Axial slice 96 of 129 of a contrast-enhanced abdominal CT in the arterial phase (slice 1 is the lowest), 100 kVp, kernel I41f; 3.00 mm slice thickness and 0.779 mm pixels.
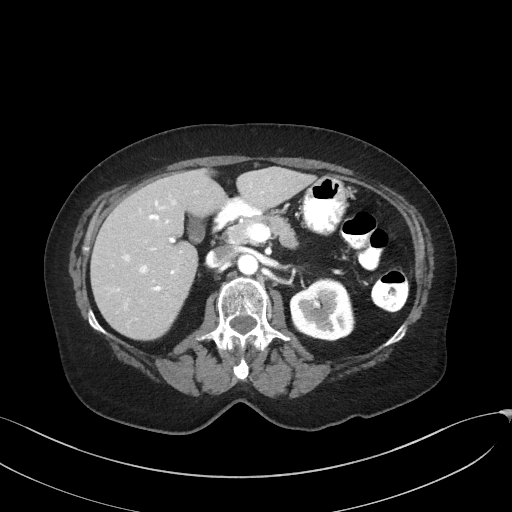
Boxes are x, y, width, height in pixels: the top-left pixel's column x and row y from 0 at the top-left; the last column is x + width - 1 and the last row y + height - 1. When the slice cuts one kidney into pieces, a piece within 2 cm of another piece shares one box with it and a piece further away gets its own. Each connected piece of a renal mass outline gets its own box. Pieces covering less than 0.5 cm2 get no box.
Left kidney, box x 289, y 278, width 67, height 64 (outlined area 3,253 px, about 19.8 cm2). No renal mass outline on this slice.